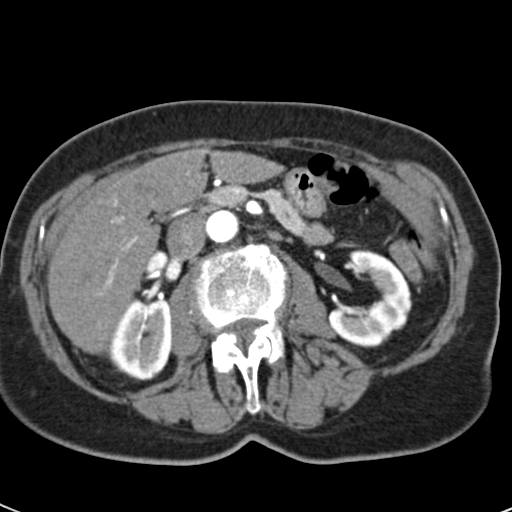
Abdominal CT with intravenous contrast, arterial phase, axial plane, 120 kVp, kernel B30f. Slice 30/53 from the bottom of the scan; thickness 3.00 mm; pixel size 0.547 mm.
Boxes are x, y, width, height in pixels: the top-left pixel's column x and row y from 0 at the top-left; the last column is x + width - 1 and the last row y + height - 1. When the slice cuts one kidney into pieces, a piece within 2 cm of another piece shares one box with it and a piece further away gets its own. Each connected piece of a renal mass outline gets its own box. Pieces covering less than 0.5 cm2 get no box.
Two kidney boxes on this slice; by box centre, from the image's left to its right: (1) Right kidney at x 108, y 298, width 64, height 83 (outlined area 4,245 px, about 12.7 cm2). (2) Left kidney, box x 326, y 249, width 86, height 99 (outlined area 5,014 px, about 15.0 cm2). No renal mass is outlined on this slice.